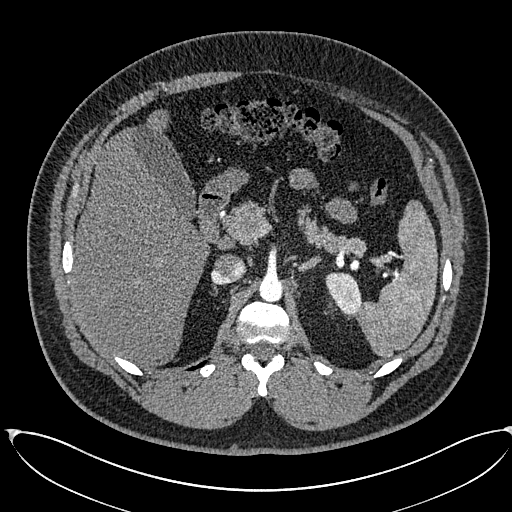
Abdominal CT with intravenous contrast, arterial phase, axial plane, 120 kVp, kernel I30f. Slice 425/673 from the bottom of the scan; thickness 1.00 mm; pixel size 0.855 mm.
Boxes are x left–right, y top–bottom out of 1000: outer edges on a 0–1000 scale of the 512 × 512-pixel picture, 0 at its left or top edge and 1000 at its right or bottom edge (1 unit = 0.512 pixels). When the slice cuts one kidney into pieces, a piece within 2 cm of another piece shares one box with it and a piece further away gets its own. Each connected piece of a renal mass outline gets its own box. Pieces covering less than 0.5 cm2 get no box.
Left kidney at x 635–709, y 531–617 out of 1000 (outlined area 1,175 px, about 8.6 cm2). This slice carries no renal mass outline.